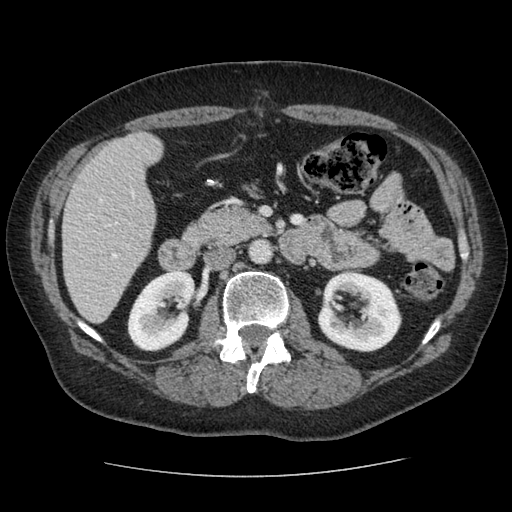
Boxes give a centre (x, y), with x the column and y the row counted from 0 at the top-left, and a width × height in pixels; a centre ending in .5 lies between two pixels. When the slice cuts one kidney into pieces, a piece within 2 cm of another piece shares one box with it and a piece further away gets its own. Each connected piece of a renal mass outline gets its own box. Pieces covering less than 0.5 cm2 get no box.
This is axial slice 45 of 96 (slice 1 is the lowest) of an arterial-phase abdominal CT with contrast; each pixel is 0.689 mm and the slice is 2.50 mm thick. Boxed on this slice (two kidney boxes), listed by box centre from the image's left to its right: (1) Right kidney in a box with centre (161, 310.5), 69 × 82 pixels (outlined area 4,083 px, about 19.4 cm2). (2) Left kidney, box centre (359, 312), 87 × 81 pixels (outlined area 5,086 px, about 24.2 cm2). No renal mass is outlined on this slice.
Scan settings: 120 kVp, STANDARD reconstruction kernel.